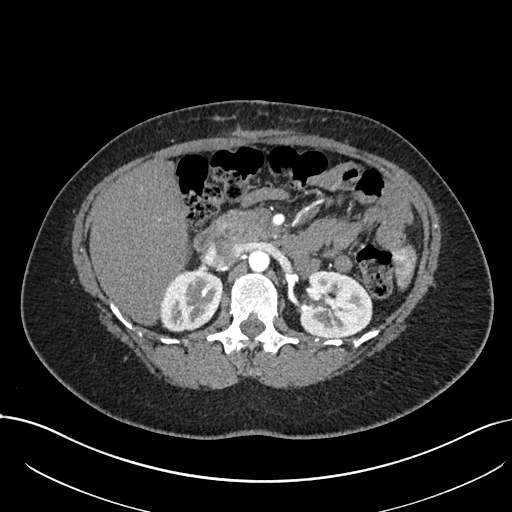
Axial slice 460 of 738 of a contrast-enhanced abdominal CT in the arterial phase (slice 1 is the lowest), 120 kVp, kernel I30f; 1.00 mm slice thickness and 0.789 mm pixels.
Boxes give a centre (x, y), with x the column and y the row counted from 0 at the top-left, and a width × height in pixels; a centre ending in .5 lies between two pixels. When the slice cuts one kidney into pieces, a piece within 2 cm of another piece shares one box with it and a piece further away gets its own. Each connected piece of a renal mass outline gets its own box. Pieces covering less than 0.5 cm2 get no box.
Boxed on this slice (two kidney boxes), listed by box centre from the image's left to its right: (1) Right kidney in a box with centre (191, 300), 63 × 63 pixels (outlined area 3,076 px, about 19.2 cm2). (2) Box centre (335.5, 304.5), 74 × 68 pixels: left kidney (outlined area 4,035 px, about 25.1 cm2). No renal mass outline on this slice.